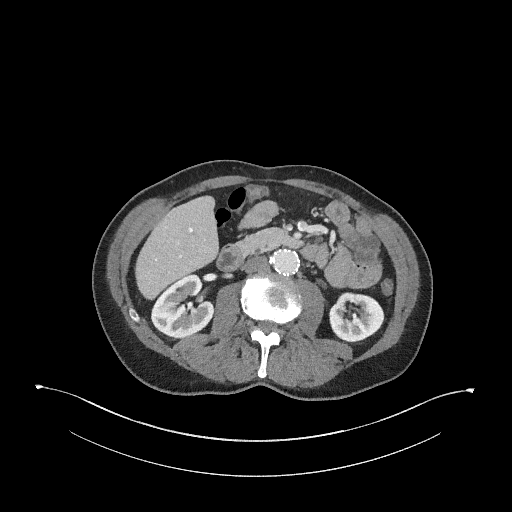
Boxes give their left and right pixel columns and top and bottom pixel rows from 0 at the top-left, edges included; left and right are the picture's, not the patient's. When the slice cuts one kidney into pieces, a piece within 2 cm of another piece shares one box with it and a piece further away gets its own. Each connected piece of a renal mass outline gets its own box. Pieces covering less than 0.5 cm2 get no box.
Slice 147/345 of a contrast-enhanced abdominal CT in the arterial phase, counting up from the lowest; pixel size 0.977 mm, slice thickness 2.00 mm. Boxed on this slice (two kidney boxes), listed by box centre from the image's left to its right: (1) Box with left 150, top 274, right 214, bottom 338: right kidney (outlined area 2,884 px, about 27.5 cm2). (2) Left kidney in the box with left 329, top 292, right 384, bottom 341 (outlined area 2,151 px, about 20.5 cm2). No renal mass is outlined on this slice.
Acquired at 120 kVp and reconstructed with the I31f kernel.